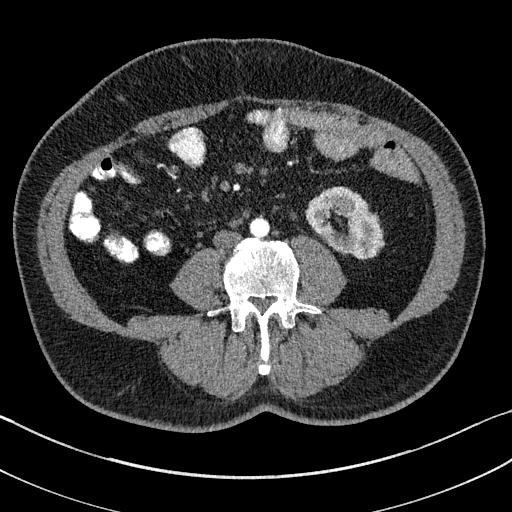
Arterial-phase contrast-enhanced abdominal CT, axial slice 45 of 195 (counted from the lowest slice); tube voltage 100 kVp, convolution kernel I31f; slices 1.50 mm thick, 0.707 mm per pixel.
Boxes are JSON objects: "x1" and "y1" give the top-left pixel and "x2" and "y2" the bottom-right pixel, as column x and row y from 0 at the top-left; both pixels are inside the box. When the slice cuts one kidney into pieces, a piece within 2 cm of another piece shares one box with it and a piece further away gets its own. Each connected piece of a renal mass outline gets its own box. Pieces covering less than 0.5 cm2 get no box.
Left kidney at {"x1": 305, "y1": 186, "x2": 383, "y2": 259} (outlined area 3,628 px, about 18.1 cm2). No renal mass outline on this slice.